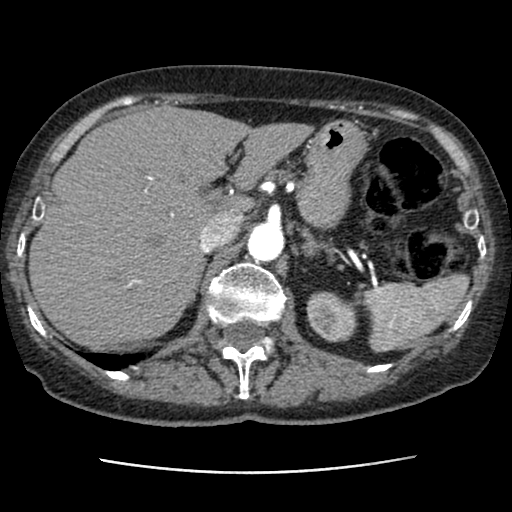
One axial slice (64 of 76, counting up from the lowest) of a contrast-enhanced abdominal CT acquired with 120 kVp, kernel STANDARD; each pixel is 0.586 mm and the slice is 2.50 mm thick.
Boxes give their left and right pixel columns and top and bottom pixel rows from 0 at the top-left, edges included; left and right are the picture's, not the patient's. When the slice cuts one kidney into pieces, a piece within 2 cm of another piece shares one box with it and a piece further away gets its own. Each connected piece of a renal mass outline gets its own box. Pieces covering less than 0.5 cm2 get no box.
Box with left 306, top 291, right 357, bottom 342: left kidney (outlined area 2,010 px, about 6.9 cm2). No renal mass outline on this slice.